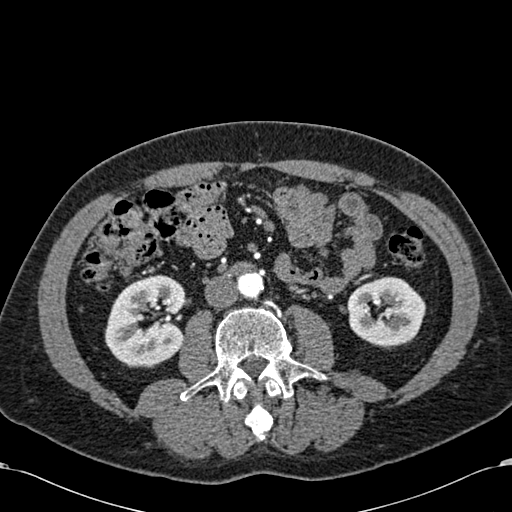
Axial slice 279 of 581 of a contrast-enhanced abdominal CT in the arterial phase (slice 1 is the lowest), 120 kVp, kernel B30f; 1.00 mm slice thickness and 0.713 mm pixels.
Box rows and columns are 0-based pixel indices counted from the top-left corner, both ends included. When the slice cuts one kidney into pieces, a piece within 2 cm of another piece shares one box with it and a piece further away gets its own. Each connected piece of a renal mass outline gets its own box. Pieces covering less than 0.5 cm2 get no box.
Boxed on this slice (two kidney boxes), listed by box centre from the image's left to its right: (1) Right kidney at rows 275–367, columns 104–186 (outlined area 5,745 px, about 29.2 cm2). (2) Left kidney at rows 276–349, columns 346–426 (outlined area 4,250 px, about 21.6 cm2). This slice carries no renal mass outline.